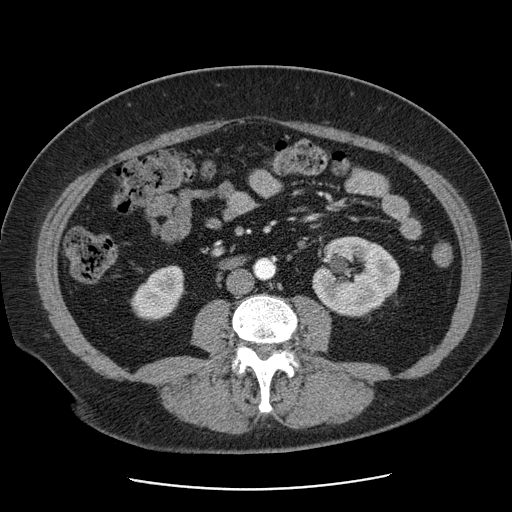
One axial slice (25 of 103, counting up from the lowest) of a contrast-enhanced abdominal CT acquired with 120 kVp, kernel STANDARD; each pixel is 0.736 mm and the slice is 2.50 mm thick.
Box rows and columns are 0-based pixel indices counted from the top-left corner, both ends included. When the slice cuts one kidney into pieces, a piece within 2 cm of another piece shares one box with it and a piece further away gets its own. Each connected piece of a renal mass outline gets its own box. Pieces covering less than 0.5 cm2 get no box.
Two boxes on this slice (two kidney boxes), listed by box centre from the image's left to its right. (1) Right kidney, box rows 265–320, columns 130–185 (outlined area 2,139 px, about 11.6 cm2). (2) Box rows 236–317, columns 312–400: left kidney (outlined area 5,251 px, about 28.5 cm2).